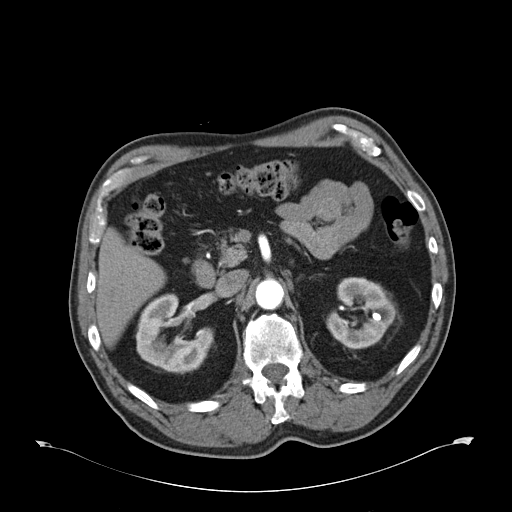
One axial slice (36 of 59, counting up from the lowest) of an arterial-phase abdominal CT acquired with 120 kVp, kernel B30f; each pixel is 0.871 mm and the slice is 5.00 mm thick.
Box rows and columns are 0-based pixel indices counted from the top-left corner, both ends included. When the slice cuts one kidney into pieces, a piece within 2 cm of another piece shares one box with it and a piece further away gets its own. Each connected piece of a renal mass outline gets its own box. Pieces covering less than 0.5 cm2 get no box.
Two boxes on this slice (two kidney boxes), listed by box centre from the image's left to its right. (1) Right kidney, box rows 293–374, columns 135–213 (outlined area 4,136 px, about 31.4 cm2). (2) Box rows 277–349, columns 325–395: left kidney (outlined area 3,415 px, about 25.9 cm2). This slice carries no renal mass outline.